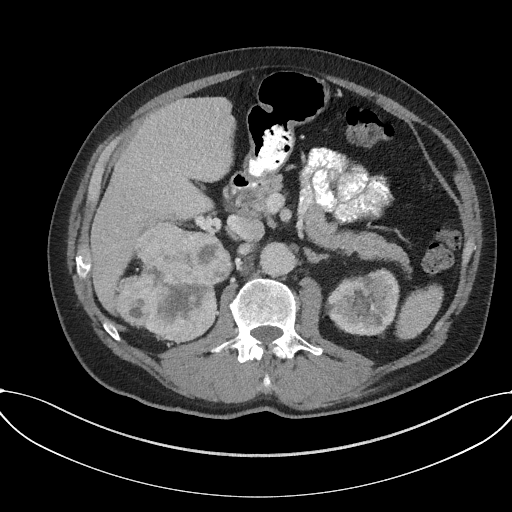
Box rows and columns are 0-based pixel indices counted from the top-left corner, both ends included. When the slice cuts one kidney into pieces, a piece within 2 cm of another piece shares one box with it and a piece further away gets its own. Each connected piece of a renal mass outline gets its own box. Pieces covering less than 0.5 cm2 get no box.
Slice 102/227 of a contrast-enhanced abdominal CT in the arterial phase, counting up from the lowest; pixel size 0.816 mm, slice thickness 3.00 mm. Two boxes on this slice (one kidney box and one renal mass box), listed by box centre from the image's left to its right. (1) Box rows 222–342, columns 116–233: right renal mass (outlined area 9,842 px, about 65.6 cm2); here it is more than 1 cm from any kidney outline, though on another slice the same outlined renal mass lies within 1 cm of the kidney. (2) Box rows 268–335, columns 325–399: left kidney (outlined area 3,773 px, about 25.1 cm2).
Tube voltage 120 kVp; convolution kernel I31f.